Arterial-phase contrast-enhanced abdominal CT, axial slice 304 of 591 (counted from the lowest slice); tube voltage 140 kVp, convolution kernel I30f; slices 1.00 mm thick, 0.703 mm per pixel.
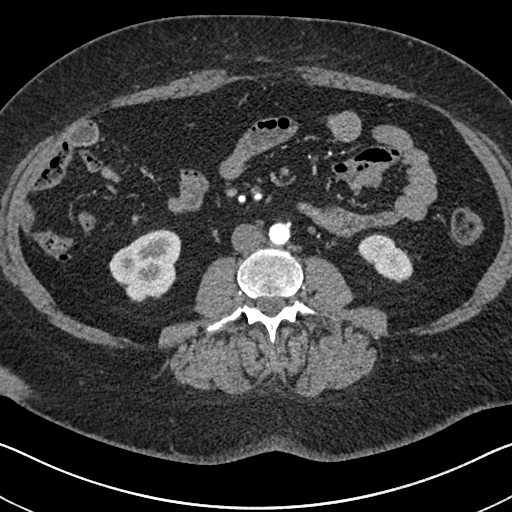
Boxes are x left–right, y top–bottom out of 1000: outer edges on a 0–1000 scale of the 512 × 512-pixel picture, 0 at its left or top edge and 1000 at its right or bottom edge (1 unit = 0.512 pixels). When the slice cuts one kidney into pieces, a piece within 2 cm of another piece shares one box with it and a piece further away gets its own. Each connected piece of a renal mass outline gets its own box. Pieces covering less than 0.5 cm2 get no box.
Two kidney boxes on this slice; by box centre, from the image's left to its right: (1) Right kidney, box x 213–355, y 445–592 out of 1000 (outlined area 3,732 px, about 18.5 cm2). (2) Left kidney, box x 699–809, y 457–553 out of 1000 (outlined area 1,737 px, about 8.6 cm2). This slice carries no renal mass outline.